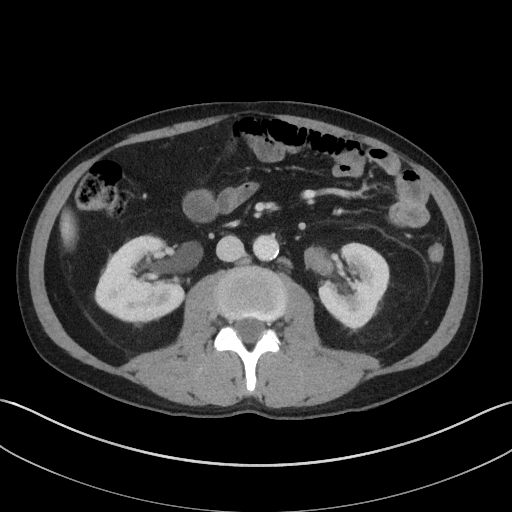
Contrast-enhanced abdominal CT, axial slice 58 of 143 (counted from the lowest slice); tube voltage 100 kVp, convolution kernel I41f; slices 5.00 mm thick, 0.734 mm per pixel.
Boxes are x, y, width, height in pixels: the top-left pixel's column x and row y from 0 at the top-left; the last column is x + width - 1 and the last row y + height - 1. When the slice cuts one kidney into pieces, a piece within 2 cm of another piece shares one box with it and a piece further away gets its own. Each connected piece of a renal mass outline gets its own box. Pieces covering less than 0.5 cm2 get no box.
Two boxes on this slice (two kidney boxes), listed by box centre from the image's left to its right. (1) Right kidney at x 94, y 235, width 93, height 90 (outlined area 5,906 px, about 31.9 cm2). (2) Box x 318, y 242, width 72, height 88: left kidney (outlined area 4,413 px, about 23.8 cm2). This slice carries no renal mass outline.